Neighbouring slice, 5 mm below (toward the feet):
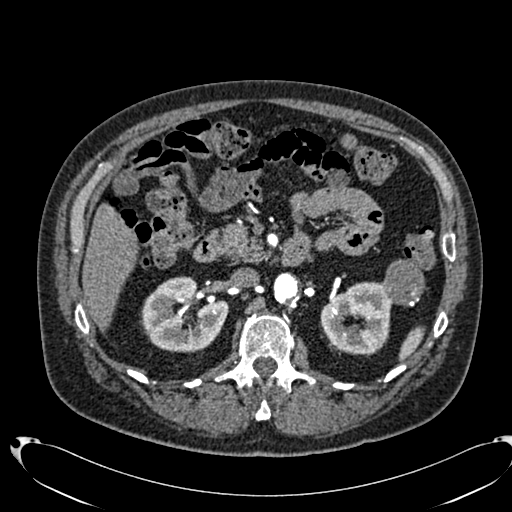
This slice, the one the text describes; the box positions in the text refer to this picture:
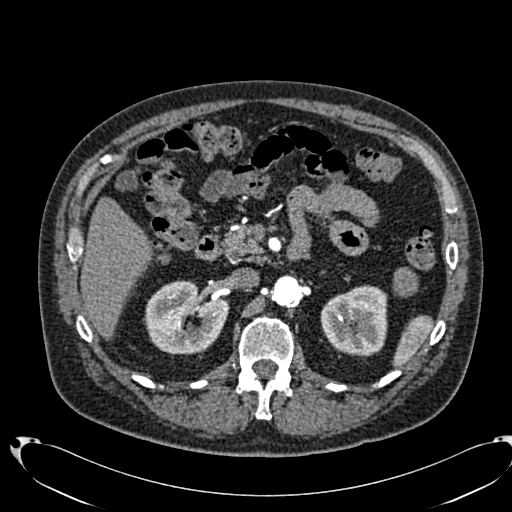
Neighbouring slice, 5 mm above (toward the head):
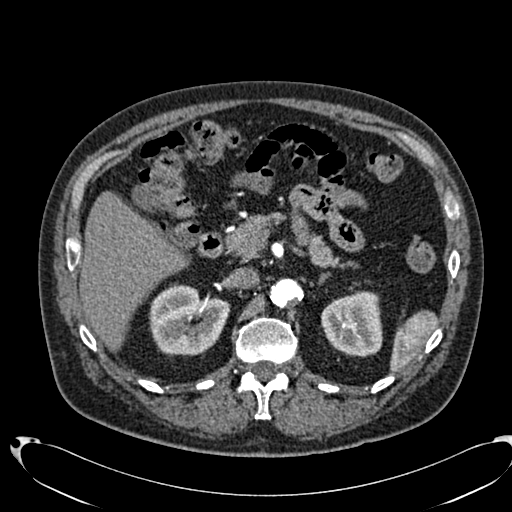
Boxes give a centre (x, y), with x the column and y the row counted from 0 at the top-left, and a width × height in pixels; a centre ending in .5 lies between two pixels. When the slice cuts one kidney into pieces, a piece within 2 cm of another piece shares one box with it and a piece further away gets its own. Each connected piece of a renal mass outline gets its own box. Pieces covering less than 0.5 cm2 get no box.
This is axial slice 451 of 553 (slice 1 is the lowest) of an arterial-phase abdominal CT with contrast; each pixel is 0.773 mm and the slice is 1.00 mm thick. Boxed on this slice (two kidney boxes and one renal mass box), listed by box centre from the image's left to its right: (1) Box centre (186, 317), 87 × 75 pixels: right kidney (outlined area 4,728 px, about 28.3 cm2). (2) Box centre (353.5, 320.5), 68 × 72 pixels: left kidney (outlined area 3,836 px, about 22.9 cm2). (3) Box centre (405.5, 282), 26 × 31 pixels: left renal mass (outlined area 629 px, about 3.8 cm2). This slice is near the end of the left renal mass toward the head, so the slices 5 mm below and 5 mm above it are shown as well; the boxes refer to this slice only.
Acquired at 120 kVp and reconstructed with the B20f kernel.